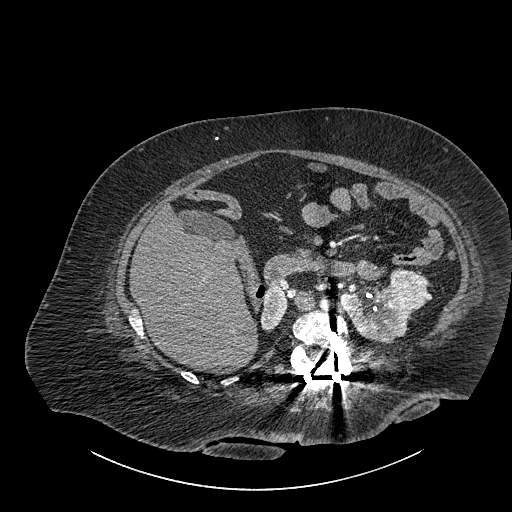
Axial slice 547 of 834 of a contrast-enhanced abdominal CT (slice 1 is the lowest), 140 kVp, kernel I30f; 1.00 mm slice thickness and 0.977 mm pixels.
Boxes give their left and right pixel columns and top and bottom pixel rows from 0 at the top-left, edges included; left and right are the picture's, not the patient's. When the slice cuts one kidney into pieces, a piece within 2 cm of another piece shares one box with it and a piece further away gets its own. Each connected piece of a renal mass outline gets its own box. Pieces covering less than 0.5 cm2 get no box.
Boxed on this slice (two kidney boxes and one renal mass box), listed by box centre from the image's left to its right: (1) Right part of the midline-crossing kidney in the box with left 260, top 285, right 287, bottom 331 (outlined area 909 px, about 8.7 cm2). (2) Left part of the midline-crossing kidney in the box with left 341, top 284, right 412, bottom 343 (outlined area 2,598 px, about 24.8 cm2). (3) Renal mass, the box with left 390, top 267, right 427, bottom 309 (outlined area 1,272 px, about 12.1 cm2).